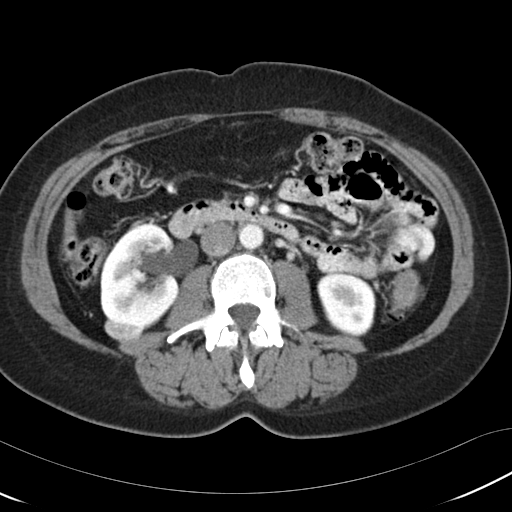
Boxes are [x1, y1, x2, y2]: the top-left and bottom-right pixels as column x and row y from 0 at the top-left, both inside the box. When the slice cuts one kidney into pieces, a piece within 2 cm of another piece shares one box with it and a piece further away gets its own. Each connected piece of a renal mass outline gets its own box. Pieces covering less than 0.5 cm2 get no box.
This is axial slice 59 of 97 (slice 1 is the lowest) of an abdominal CT with contrast; each pixel is 0.664 mm and the slice is 5.00 mm thick. Two kidney boxes and one renal mass box on this slice; by box centre, from the image's left to its right: (1) Box [104, 317, 143, 340]: right renal mass (outlined area 759 px, about 3.3 cm2). (2) Right kidney at [100, 223, 179, 327] (outlined area 6,246 px, about 27.5 cm2). (3) Left kidney at [317, 274, 375, 337] (outlined area 2,952 px, about 13.0 cm2).
Tube voltage 120 kVp; convolution kernel B30f.